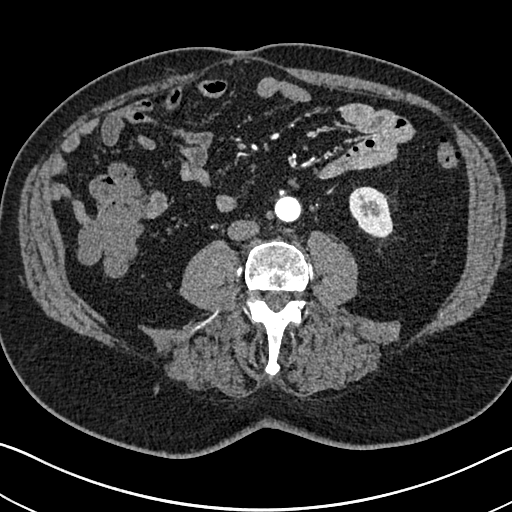
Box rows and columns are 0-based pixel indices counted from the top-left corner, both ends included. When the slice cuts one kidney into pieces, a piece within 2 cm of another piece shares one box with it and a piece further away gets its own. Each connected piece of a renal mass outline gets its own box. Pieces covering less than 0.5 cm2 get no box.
This is axial slice 285 of 705 (slice 1 is the lowest) of an arterial-phase abdominal CT with contrast; each pixel is 0.703 mm and the slice is 1.00 mm thick. Box rows 186–239, columns 349–393: left kidney (outlined area 1,739 px, about 8.6 cm2). No renal mass outline on this slice.
Acquired at 120 kVp and reconstructed with the I30f kernel.